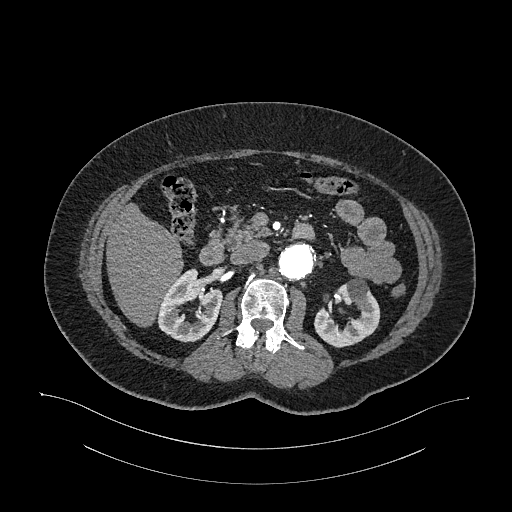
Axial slice 661 of 987 of a contrast-enhanced abdominal CT in the arterial phase (slice 1 is the lowest), 120 kVp, kernel I26f; 1.00 mm slice thickness and 0.977 mm pixels.
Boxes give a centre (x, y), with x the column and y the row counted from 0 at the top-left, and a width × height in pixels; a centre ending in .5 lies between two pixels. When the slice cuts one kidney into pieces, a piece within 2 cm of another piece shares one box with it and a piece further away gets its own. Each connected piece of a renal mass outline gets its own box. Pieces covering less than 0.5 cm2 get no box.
Two boxes on this slice (two kidney boxes), listed by box centre from the image's left to its right. (1) Right kidney, box centre (189.5, 304.5), 66 × 76 pixels (outlined area 3,190 px, about 30.4 cm2). (2) Left kidney in a box with centre (347, 312), 67 × 71 pixels (outlined area 2,815 px, about 26.8 cm2). This slice carries no renal mass outline.